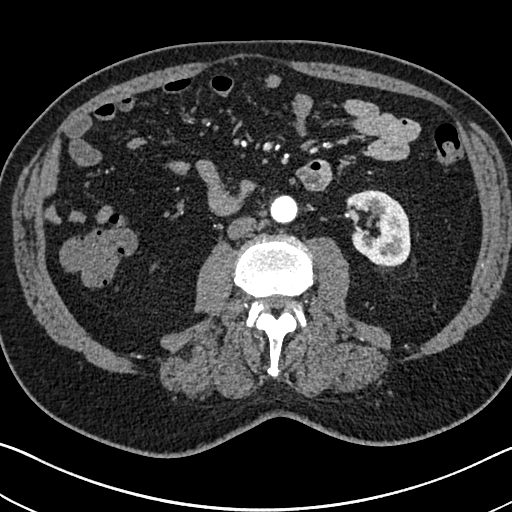
One axial slice (335 of 705, counting up from the lowest) of an arterial-phase abdominal CT acquired with 120 kVp, kernel I30f; each pixel is 0.703 mm and the slice is 1.00 mm thick.
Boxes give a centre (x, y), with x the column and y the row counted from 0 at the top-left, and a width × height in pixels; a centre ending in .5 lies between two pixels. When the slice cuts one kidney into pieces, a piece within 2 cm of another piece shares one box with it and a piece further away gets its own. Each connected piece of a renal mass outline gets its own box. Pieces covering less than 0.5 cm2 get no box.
Box centre (378, 228.5), 65 × 78 pixels: left kidney (outlined area 3,693 px, about 18.3 cm2). This slice carries no renal mass outline.